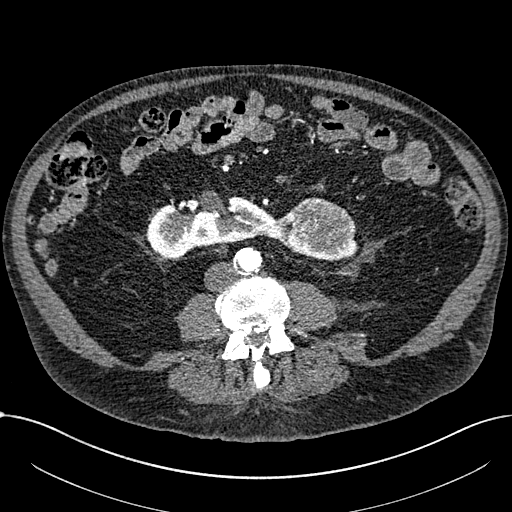
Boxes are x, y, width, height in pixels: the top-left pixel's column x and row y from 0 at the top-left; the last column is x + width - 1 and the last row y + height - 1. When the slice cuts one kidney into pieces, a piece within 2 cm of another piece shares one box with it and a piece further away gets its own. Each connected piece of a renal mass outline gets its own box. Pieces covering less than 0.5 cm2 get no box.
Arterial-phase contrast-enhanced abdominal CT, axial slice 280 of 1059 (counted from the lowest slice); 1.00 mm thick, 0.811 mm per pixel. Two boxes on this slice (one kidney box and one renal mass box), listed by box centre from the image's left to its right. (1) Kidney crossing the body midline at x 147, y 196, width 212, height 66 (outlined area 6,673 px, about 43.8 cm2). (2) Box x 292, y 197, width 64, height 59: renal mass (outlined area 2,665 px, about 17.5 cm2).
Tube voltage 100 kVp; convolution kernel I30f.